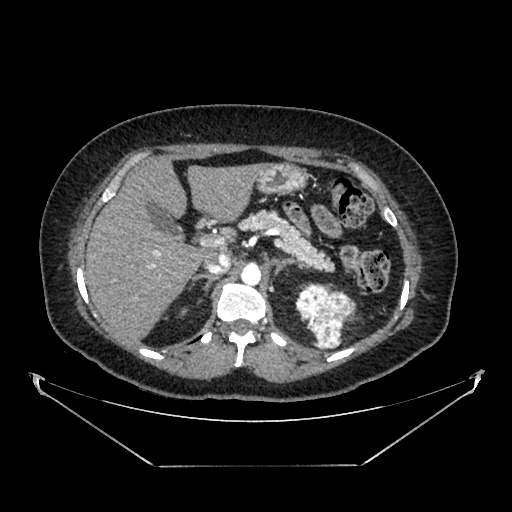
One axial slice (268 of 383, counting up from the lowest) of an arterial-phase abdominal CT acquired with 100 kVp, kernel SOFT; each pixel is 0.898 mm and the slice is 1.25 mm thick.
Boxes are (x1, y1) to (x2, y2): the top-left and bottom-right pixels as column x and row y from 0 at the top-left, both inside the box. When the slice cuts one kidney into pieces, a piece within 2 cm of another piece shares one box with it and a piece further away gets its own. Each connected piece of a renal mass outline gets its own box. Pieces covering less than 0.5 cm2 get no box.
Left renal mass from (295, 283) to (355, 349) (outlined area 2,643 px, about 21.3 cm2); it sits over 1 cm from every kidney outline on this slice, but the same outlined renal mass comes within 1 cm of the kidney on another slice.